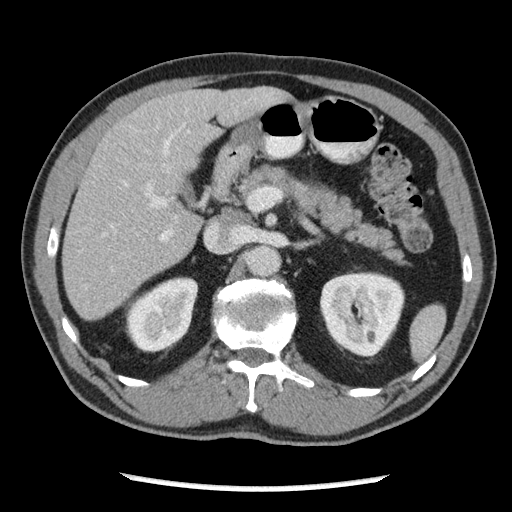
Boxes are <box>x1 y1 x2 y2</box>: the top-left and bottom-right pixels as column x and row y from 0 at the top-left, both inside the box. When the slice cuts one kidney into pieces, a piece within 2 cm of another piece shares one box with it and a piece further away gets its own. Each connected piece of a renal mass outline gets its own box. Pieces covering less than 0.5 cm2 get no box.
Arterial-phase contrast-enhanced abdominal CT, axial slice 135 of 262 (counted from the lowest slice); 2.50 mm thick, 0.703 mm per pixel. Boxed on this slice (two kidney boxes), listed by box centre from the image's left to its right: (1) At <box>125 276 198 352</box>: right kidney (outlined area 4,099 px, about 20.3 cm2). (2) At <box>319 271 405 356</box>: left kidney (outlined area 5,679 px, about 28.1 cm2). No renal mass outline on this slice.
Scan settings: 120 kVp, STANDARD reconstruction kernel.